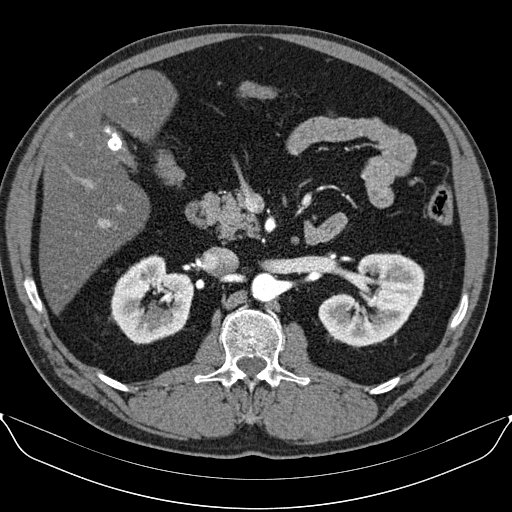
Arterial-phase contrast-enhanced abdominal CT, axial slice 57 of 96 (counted from the lowest slice); tube voltage 130 kVp, convolution kernel B30s; slices 3.00 mm thick, 0.781 mm per pixel.
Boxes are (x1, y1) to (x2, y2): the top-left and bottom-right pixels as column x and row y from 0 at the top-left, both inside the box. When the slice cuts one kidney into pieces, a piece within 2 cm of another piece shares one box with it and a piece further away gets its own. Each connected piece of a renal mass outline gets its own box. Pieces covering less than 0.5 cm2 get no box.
Boxed on this slice (two kidney boxes), listed by box centre from the image's left to its right: (1) Right kidney from (109, 254) to (194, 344) (outlined area 5,292 px, about 32.3 cm2). (2) Left kidney from (318, 252) to (425, 347) (outlined area 6,705 px, about 40.9 cm2). No renal mass outline on this slice.